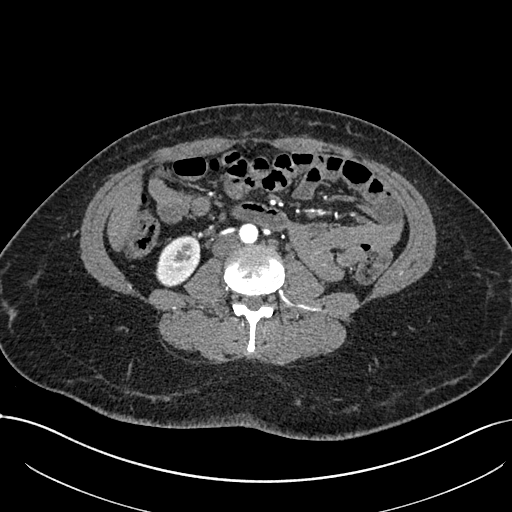
Arterial-phase contrast-enhanced abdominal CT, axial slice 323 of 738 (counted from the lowest slice); tube voltage 120 kVp, convolution kernel I30f; slices 1.00 mm thick, 0.789 mm per pixel.
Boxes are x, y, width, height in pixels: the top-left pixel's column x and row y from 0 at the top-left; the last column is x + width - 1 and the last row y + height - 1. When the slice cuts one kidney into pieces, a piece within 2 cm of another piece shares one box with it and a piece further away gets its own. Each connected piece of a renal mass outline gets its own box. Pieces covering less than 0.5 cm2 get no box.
Box x 154, y 235, width 47, height 52: right kidney (outlined area 1,732 px, about 10.8 cm2). No renal mass is outlined on this slice.